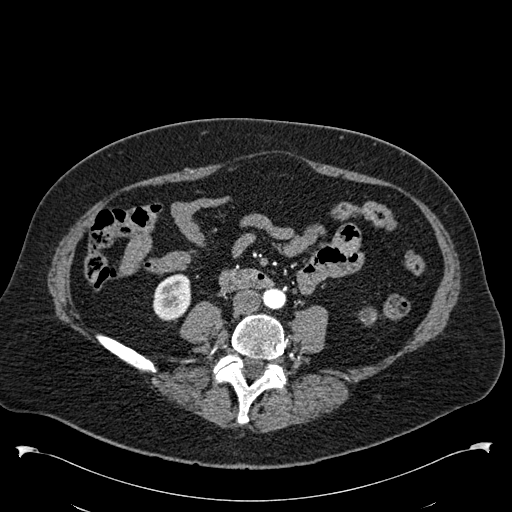
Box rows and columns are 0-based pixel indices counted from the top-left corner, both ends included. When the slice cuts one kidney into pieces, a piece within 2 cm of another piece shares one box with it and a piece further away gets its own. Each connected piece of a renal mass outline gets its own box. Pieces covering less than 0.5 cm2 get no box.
Arterial-phase contrast-enhanced abdominal CT, axial slice 210 of 538 (counted from the lowest slice); 1.00 mm thick, 0.811 mm per pixel. Boxed on this slice (one kidney box and one renal mass box), listed by box centre from the image's left to its right: (1) Box rows 273–321, columns 152–191: right kidney (outlined area 1,464 px, about 9.6 cm2). (2) Left renal mass at rows 307–325, columns 359–377 (outlined area 257 px, about 1.7 cm2); on this slice it lies more than 1 cm from any kidney outline, but the same outlined renal mass comes within 1 cm of the kidney on another slice.
Tube voltage 120 kVp; convolution kernel B30f.